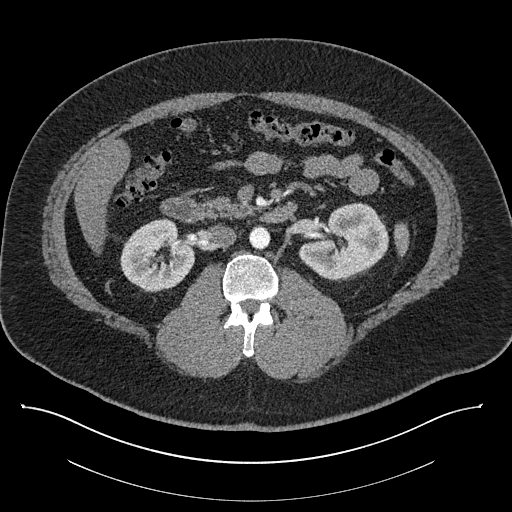
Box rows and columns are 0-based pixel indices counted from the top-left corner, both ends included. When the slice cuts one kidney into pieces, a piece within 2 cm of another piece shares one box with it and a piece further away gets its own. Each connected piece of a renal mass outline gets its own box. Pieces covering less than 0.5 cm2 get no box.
This is axial slice 483 of 787 (slice 1 is the lowest) of an abdominal CT with contrast; each pixel is 0.910 mm and the slice is 1.00 mm thick. Boxed on this slice (two kidney boxes), listed by box centre from the image's left to its right: (1) Right kidney, box rows 218–292, columns 120–194 (outlined area 3,952 px, about 32.7 cm2). (2) Left kidney at rows 202–279, columns 298–388 (outlined area 4,880 px, about 40.4 cm2). This slice carries no renal mass outline.
Tube voltage 140 kVp; convolution kernel I30f.